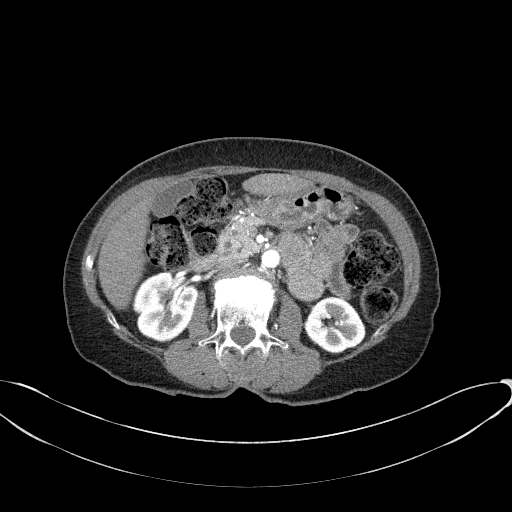
Abdominal CT with intravenous contrast, arterial phase, axial plane, 100 kVp, kernel B41f. Slice 31/77 from the bottom of the scan; thickness 3.00 mm; pixel size 0.809 mm.
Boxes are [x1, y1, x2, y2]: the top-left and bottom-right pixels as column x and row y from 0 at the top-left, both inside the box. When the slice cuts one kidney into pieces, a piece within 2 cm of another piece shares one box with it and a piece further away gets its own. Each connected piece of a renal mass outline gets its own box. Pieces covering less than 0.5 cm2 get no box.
Boxed on this slice (two kidney boxes), listed by box centre from the image's left to its right: (1) Box [132, 271, 197, 342]: right kidney (outlined area 3,521 px, about 23.0 cm2). (2) Box [304, 296, 365, 353]: left kidney (outlined area 2,618 px, about 17.1 cm2). No renal mass outline on this slice.